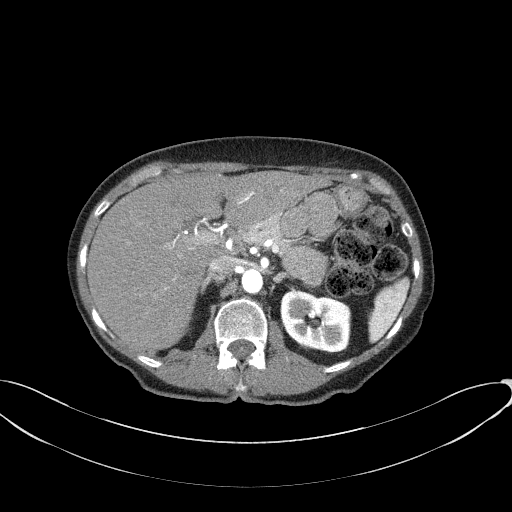
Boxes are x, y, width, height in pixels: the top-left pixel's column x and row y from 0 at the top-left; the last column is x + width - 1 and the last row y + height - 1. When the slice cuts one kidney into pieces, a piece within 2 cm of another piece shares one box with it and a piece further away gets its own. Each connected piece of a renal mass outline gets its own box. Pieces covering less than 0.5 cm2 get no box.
This is axial slice 45 of 77 (slice 1 is the lowest) of an arterial-phase abdominal CT with contrast; each pixel is 0.809 mm and the slice is 3.00 mm thick. Left kidney, box x 280, y 290, width 72, height 63 (outlined area 3,520 px, about 23.0 cm2).
Tube voltage 100 kVp; convolution kernel B41f.